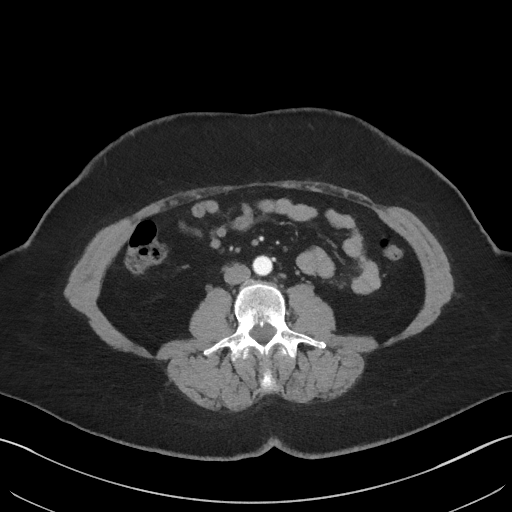
Contrast-enhanced abdominal CT, axial slice 11 of 69 (counted from the lowest slice); 3.00 mm thick, 0.736 mm per pixel. Neither a kidney nor a renal mass is outlined here. Only kidneys and renal masses are outlined anywhere in this scan; other structures are never outlined.
Tube voltage 140 kVp; convolution kernel I41f.